Axial slice 137 of 302 of a contrast-enhanced abdominal CT in the arterial phase (slice 1 is the lowest), 100 kVp, kernel I30f; 5.00 mm slice thickness and 0.875 mm pixels.
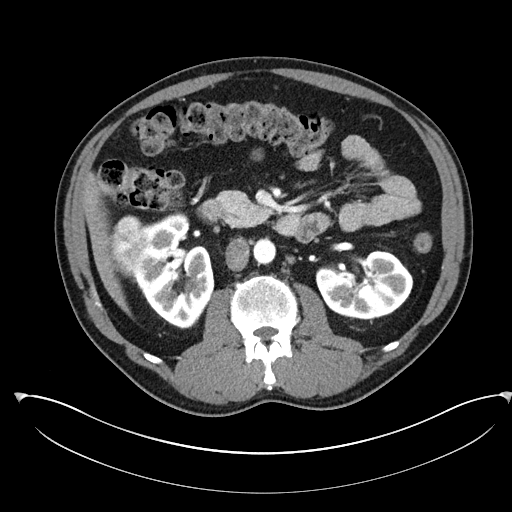
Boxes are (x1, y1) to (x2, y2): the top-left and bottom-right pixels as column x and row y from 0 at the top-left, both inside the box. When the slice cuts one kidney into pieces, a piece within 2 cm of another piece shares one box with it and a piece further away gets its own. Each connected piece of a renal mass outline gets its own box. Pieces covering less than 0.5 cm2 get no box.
Two kidney boxes and one renal mass box on this slice; by box centre, from the image's left to its right: (1) Box (107, 216) to (147, 277): right renal mass (outlined area 1,843 px, about 14.1 cm2). (2) Right kidney from (129, 212) to (214, 329) (outlined area 6,335 px, about 48.5 cm2). (3) Left kidney from (315, 250) to (413, 319) (outlined area 5,015 px, about 38.4 cm2).